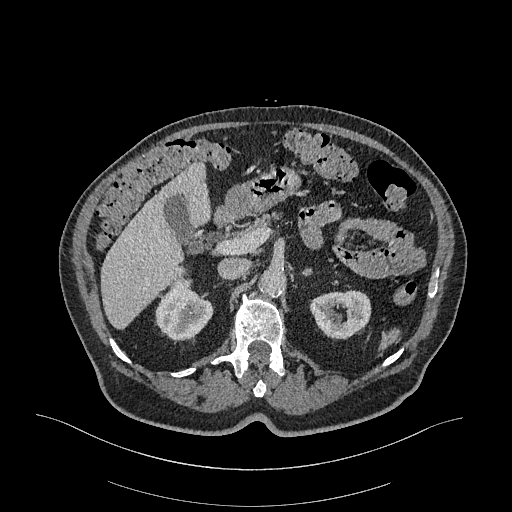
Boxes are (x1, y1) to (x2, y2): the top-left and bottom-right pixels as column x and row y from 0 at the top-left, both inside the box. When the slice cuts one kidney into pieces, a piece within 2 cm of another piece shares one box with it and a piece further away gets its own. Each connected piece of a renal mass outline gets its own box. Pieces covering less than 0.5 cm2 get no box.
Arterial-phase contrast-enhanced abdominal CT, axial slice 217 of 470 (counted from the lowest slice); 1.00 mm thick, 0.938 mm per pixel. Two boxes on this slice (two kidney boxes), listed by box centre from the image's left to its right. (1) Right kidney from (155, 281) to (213, 340) (outlined area 2,413 px, about 21.2 cm2). (2) Left kidney from (309, 290) to (371, 339) (outlined area 2,328 px, about 20.5 cm2). No renal mass outline on this slice.
Acquired at 120 kVp and reconstructed with the I26f kernel.